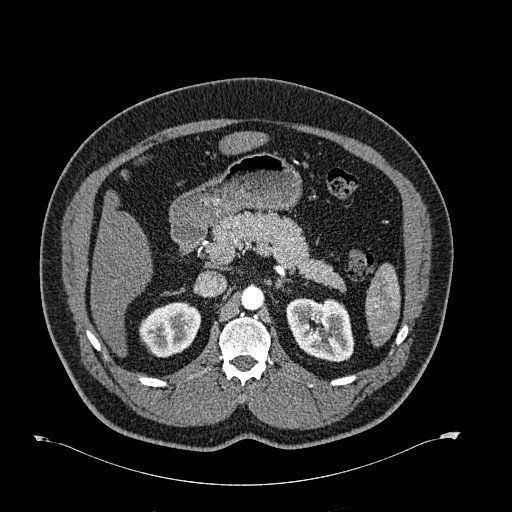
Axial slice 428 of 723 of a contrast-enhanced abdominal CT in the arterial phase (slice 1 is the lowest), 120 kVp, kernel B30f; 1.00 mm slice thickness and 0.895 mm pixels.
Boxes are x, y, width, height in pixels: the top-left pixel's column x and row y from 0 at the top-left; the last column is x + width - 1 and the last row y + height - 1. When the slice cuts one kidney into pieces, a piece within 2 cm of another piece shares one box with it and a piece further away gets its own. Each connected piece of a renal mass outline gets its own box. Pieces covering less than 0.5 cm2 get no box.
Boxed on this slice (two kidney boxes), listed by box centre from the image's left to its right: (1) Right kidney at x 139, y 302, width 63, height 56 (outlined area 2,594 px, about 20.8 cm2). (2) Left kidney at x 286, y 298, width 69, height 65 (outlined area 3,427 px, about 27.4 cm2). No renal mass is outlined on this slice.